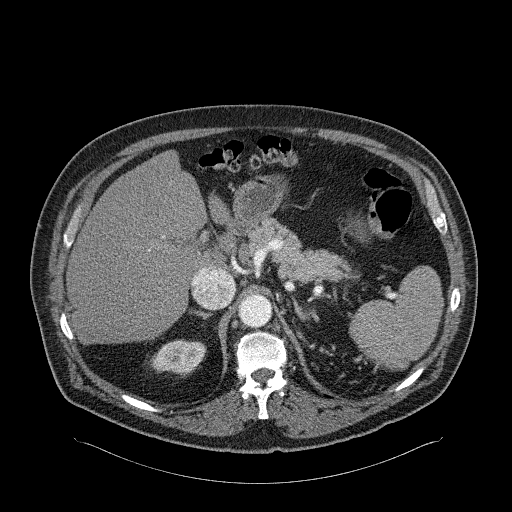
Axial slice 196 of 326 of a contrast-enhanced abdominal CT in the arterial phase (slice 1 is the lowest), 120 kVp, kernel B31f; 2.00 mm slice thickness and 0.963 mm pixels.
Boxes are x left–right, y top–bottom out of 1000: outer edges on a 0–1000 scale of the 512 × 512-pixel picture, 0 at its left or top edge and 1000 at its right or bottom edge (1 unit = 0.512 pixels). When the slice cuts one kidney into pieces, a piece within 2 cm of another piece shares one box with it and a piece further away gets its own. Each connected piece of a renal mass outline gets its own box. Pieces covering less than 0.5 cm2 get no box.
Right kidney, box x 291–402, y 662–732 out of 1000 (outlined area 1,491 px, about 13.8 cm2). This slice carries no renal mass outline.